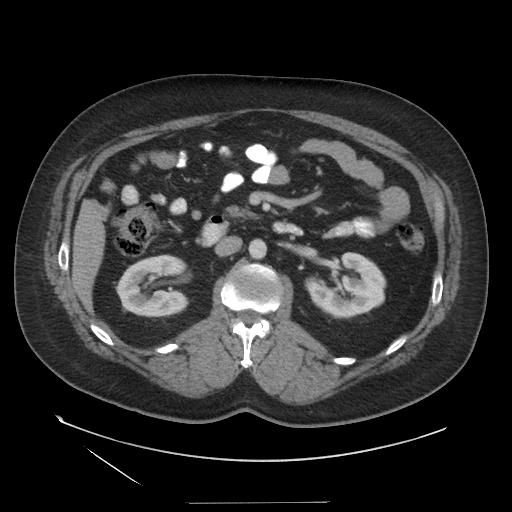
Abdominal CT with intravenous contrast, arterial phase, axial plane, 140 kVp, kernel STANDARD. Slice 80/129 from the bottom of the scan; thickness 3.75 mm; pixel size 0.938 mm.
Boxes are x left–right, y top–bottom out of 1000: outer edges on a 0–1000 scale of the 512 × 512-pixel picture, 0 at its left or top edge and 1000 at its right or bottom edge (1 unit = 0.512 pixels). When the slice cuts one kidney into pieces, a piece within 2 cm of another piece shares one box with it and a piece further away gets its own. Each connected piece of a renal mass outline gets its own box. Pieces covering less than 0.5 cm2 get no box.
Boxed on this slice (two kidney boxes), listed by box centre from the image's left to its right: (1) Right kidney, box x 225–371, y 496–621 out of 1000 (outlined area 3,667 px, about 32.2 cm2). (2) Left kidney, box x 594–756, y 492–621 out of 1000 (outlined area 3,796 px, about 33.4 cm2). No renal mass outline on this slice.